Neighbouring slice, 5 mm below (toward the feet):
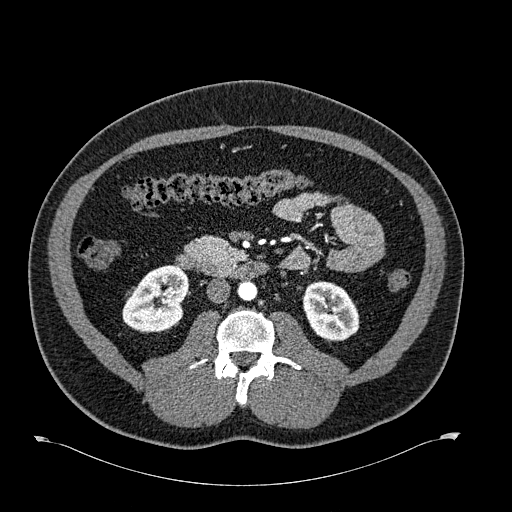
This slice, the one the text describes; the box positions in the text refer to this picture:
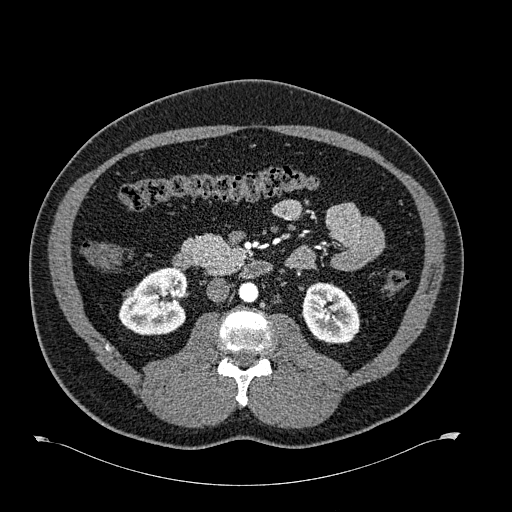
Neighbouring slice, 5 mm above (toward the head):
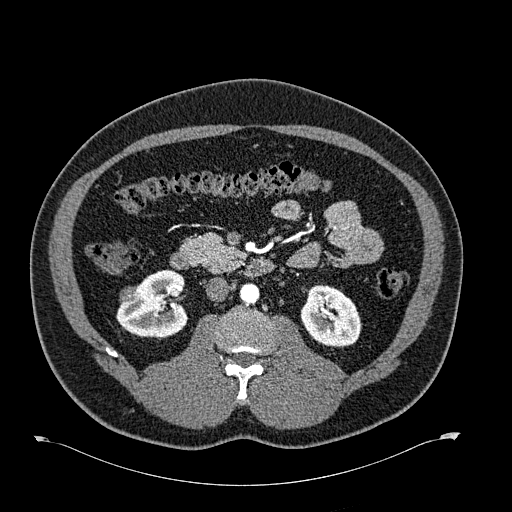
One axial slice (333 of 723, counting up from the lowest) of an arterial-phase abdominal CT acquired with 120 kVp, kernel B30f; each pixel is 0.895 mm and the slice is 1.00 mm thick.
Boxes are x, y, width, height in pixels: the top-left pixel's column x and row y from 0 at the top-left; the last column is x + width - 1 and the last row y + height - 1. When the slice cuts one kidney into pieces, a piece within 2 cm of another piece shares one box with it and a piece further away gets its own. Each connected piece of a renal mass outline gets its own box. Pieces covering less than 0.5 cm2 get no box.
Two kidney boxes and one renal mass box on this slice; by box centre, from the image's left to its right: (1) Right renal mass, box x 123, y 288, width 13, height 12 (outlined area 111 px, about 0.9 cm2). (2) Right kidney, box x 118, y 267, width 70, height 69 (outlined area 3,497 px, about 28.0 cm2). (3) Left kidney at x 301, y 282, width 60, height 63 (outlined area 2,794 px, about 22.4 cm2). This slice lies near the end of the right renal mass toward the feet; the slices 5 mm below and 5 mm above it are shown too, and the boxes mark positions on this slice only.